Abdominal CT with intravenous contrast, arterial phase, axial plane, 120 kVp, kernel I30f. Slice 466/738 from the bottom of the scan; thickness 1.00 mm; pixel size 0.789 mm.
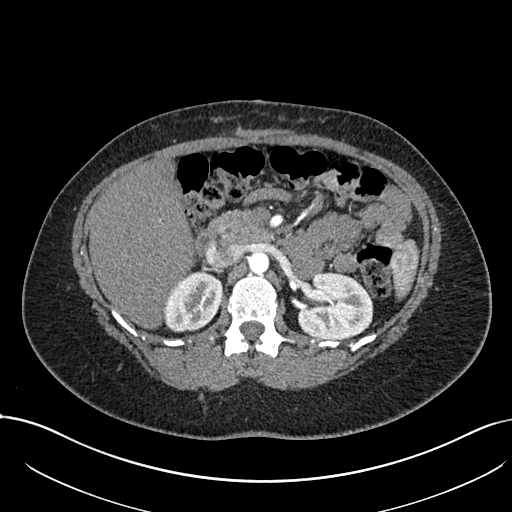
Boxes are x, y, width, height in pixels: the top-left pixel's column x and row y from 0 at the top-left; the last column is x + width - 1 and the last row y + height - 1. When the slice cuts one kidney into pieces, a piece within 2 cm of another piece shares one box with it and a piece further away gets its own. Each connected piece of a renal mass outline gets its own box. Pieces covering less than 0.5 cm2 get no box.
Two kidney boxes on this slice; by box centre, from the image's left to its right: (1) Right kidney, box x 163, y 271, width 60, height 62 (outlined area 2,789 px, about 17.4 cm2). (2) Left kidney, box x 297, y 271, width 77, height 69 (outlined area 4,093 px, about 25.5 cm2). This slice carries no renal mass outline.